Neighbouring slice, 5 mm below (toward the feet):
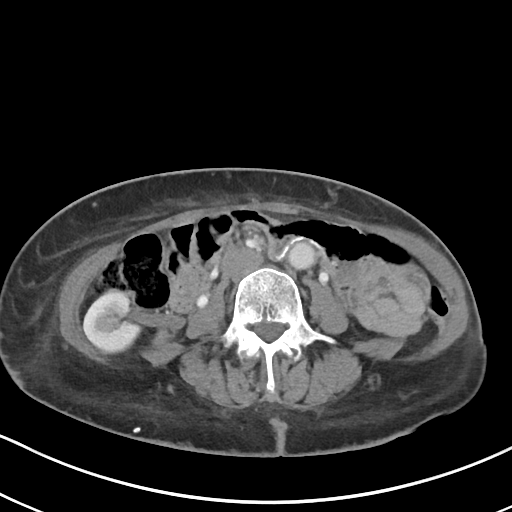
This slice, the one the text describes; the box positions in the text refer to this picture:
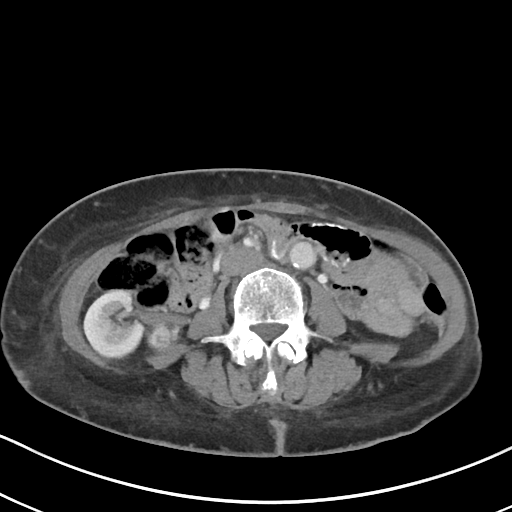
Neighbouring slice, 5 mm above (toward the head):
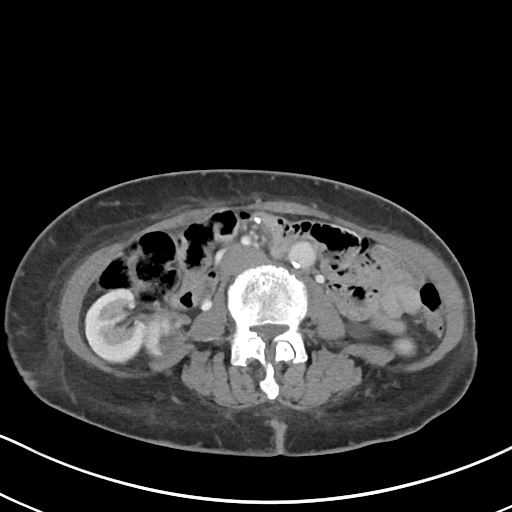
Abdominal CT with intravenous contrast, arterial phase, axial plane, 100 kVp, kernel I40f. Slice 47/80 from the bottom of the scan; thickness 5.00 mm; pixel size 0.648 mm.
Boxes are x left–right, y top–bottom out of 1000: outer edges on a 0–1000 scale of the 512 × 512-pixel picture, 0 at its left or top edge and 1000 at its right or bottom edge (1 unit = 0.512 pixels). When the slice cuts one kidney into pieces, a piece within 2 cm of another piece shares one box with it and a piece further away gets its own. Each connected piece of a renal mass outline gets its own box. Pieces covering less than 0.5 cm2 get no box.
Two boxes on this slice (one kidney box and one renal mass box), listed by box centre from the image's left to its right. (1) Right kidney, box x 164–283, y 568–699 out of 1000 (outlined area 3,006 px, about 12.6 cm2). (2) Right renal mass, box x 291–334, y 639–676 out of 1000 (outlined area 317 px, about 1.3 cm2). This slice lies near the end of the right renal mass toward the feet; the slices 5 mm below and 5 mm above it are shown too, and the boxes mark positions on this slice only.